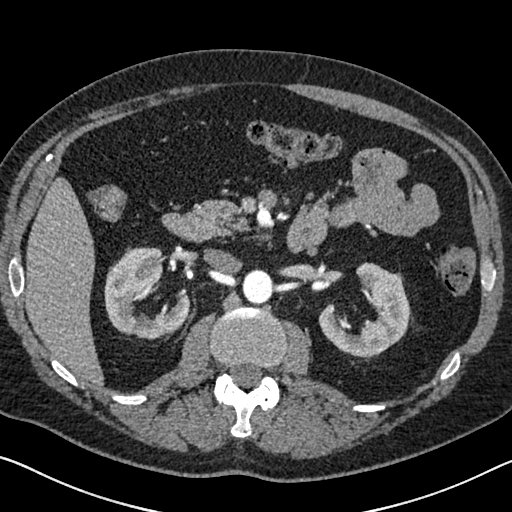
Axial slice 414 of 626 of a contrast-enhanced abdominal CT in the arterial phase (slice 1 is the lowest), 120 kVp, kernel I30f; 1.00 mm slice thickness and 0.703 mm pixels.
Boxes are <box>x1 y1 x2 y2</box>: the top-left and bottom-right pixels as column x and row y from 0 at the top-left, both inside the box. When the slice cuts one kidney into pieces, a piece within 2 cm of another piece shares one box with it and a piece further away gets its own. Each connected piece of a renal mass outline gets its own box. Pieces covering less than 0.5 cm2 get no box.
Two kidney boxes on this slice; by box centre, from the image's left to its right: (1) Right kidney: <box>104 247 189 338</box> (outlined area 4,964 px, about 24.5 cm2). (2) Left kidney: <box>318 262 410 357</box> (outlined area 4,829 px, about 23.9 cm2). No renal mass is outlined on this slice.